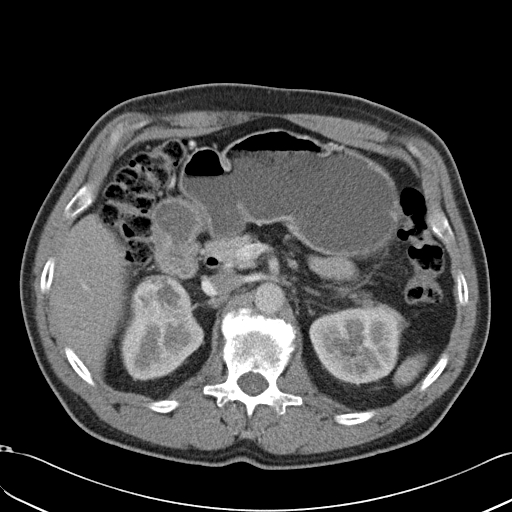
One axial slice (25 of 49, counting up from the lowest) of an arterial-phase abdominal CT acquired with 120 kVp, kernel B31f; each pixel is 0.691 mm and the slice is 5.00 mm thick.
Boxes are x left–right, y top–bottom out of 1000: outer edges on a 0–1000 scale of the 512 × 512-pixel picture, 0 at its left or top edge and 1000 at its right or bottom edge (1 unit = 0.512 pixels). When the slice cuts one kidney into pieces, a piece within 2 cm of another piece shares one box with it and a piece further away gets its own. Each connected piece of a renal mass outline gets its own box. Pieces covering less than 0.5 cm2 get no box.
Three boxes on this slice (two kidney boxes and one renal mass box), listed by box centre from the image's left to its right. (1) Right renal mass, box x 256–373, y 537–635 out of 1000 (outlined area 2,212 px, about 10.6 cm2). (2) Right kidney at x 234–400, y 600–744 out of 1000 (outlined area 4,067 px, about 19.4 cm2). (3) Box x 604–793, y 592–756 out of 1000: left kidney (outlined area 6,039 px, about 28.9 cm2).